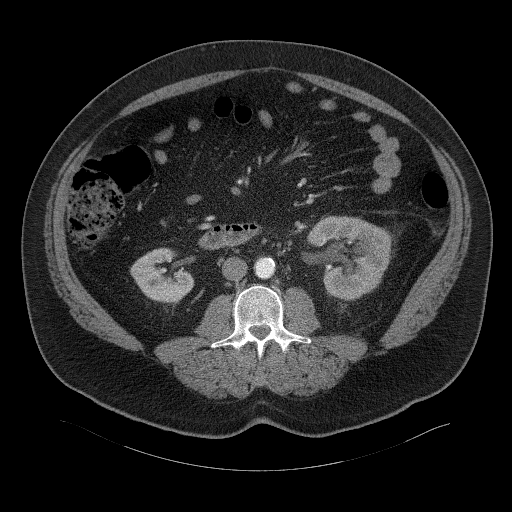
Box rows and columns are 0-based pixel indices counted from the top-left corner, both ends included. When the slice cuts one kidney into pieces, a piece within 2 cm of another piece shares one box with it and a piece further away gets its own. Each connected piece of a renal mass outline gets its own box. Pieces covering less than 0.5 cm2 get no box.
Contrast-enhanced abdominal CT, axial slice 18 of 94 (counted from the lowest slice); 3.00 mm thick, 0.977 mm per pixel. Boxed on this slice (two kidney boxes), listed by box centre from the image's left to its right: (1) Box rows 249–303, columns 130–194: right kidney (outlined area 2,395 px, about 22.8 cm2). (2) Left kidney at rows 216–300, columns 306–391 (outlined area 5,223 px, about 49.8 cm2). No renal mass outline on this slice.
Scan settings: 120 kVp, B41f reconstruction kernel.